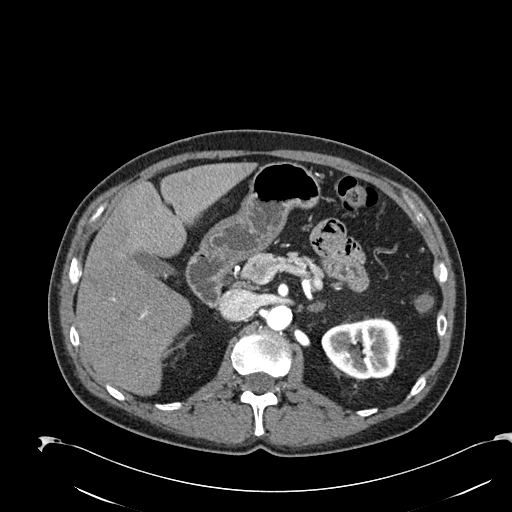
Abdominal CT with intravenous contrast, arterial phase, axial plane, 120 kVp, kernel B30f. Slice 145/274 from the bottom of the scan; thickness 2.00 mm; pixel size 0.809 mm.
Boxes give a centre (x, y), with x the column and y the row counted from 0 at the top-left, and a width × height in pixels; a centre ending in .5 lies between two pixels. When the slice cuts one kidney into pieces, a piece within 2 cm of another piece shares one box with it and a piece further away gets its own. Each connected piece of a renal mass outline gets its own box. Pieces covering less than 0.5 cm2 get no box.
Left kidney in a box with centre (360, 348.5), 79 × 62 pixels (outlined area 3,867 px, about 25.3 cm2). No renal mass outline on this slice.